Abdominal CT with intravenous contrast, arterial phase, axial plane, 120 kVp, kernel I30f. Slice 196/527 from the bottom of the scan; thickness 1.00 mm; pixel size 0.859 mm.
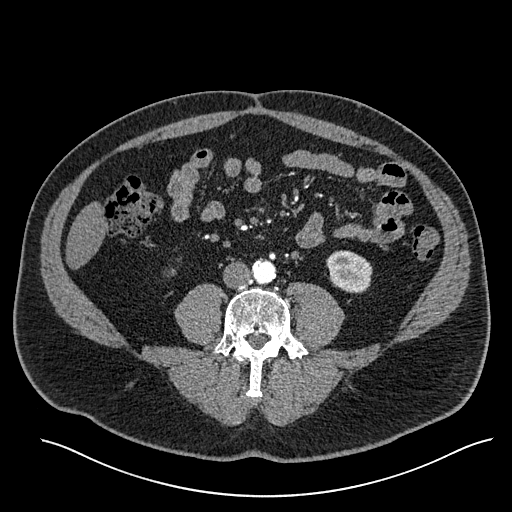
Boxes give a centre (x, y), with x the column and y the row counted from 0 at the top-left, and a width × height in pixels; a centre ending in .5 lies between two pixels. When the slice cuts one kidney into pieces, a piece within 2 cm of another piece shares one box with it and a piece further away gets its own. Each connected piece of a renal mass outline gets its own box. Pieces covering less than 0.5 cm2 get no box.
Left kidney in a box with centre (349, 271.5), 47 × 44 pixels (outlined area 1,570 px, about 11.6 cm2). This slice carries no renal mass outline.